Abdominal CT with intravenous contrast, arterial phase, axial plane, 100 kVp, kernel I30f. Slice 222/325 from the bottom of the scan; thickness 1.00 mm; pixel size 0.703 mm.
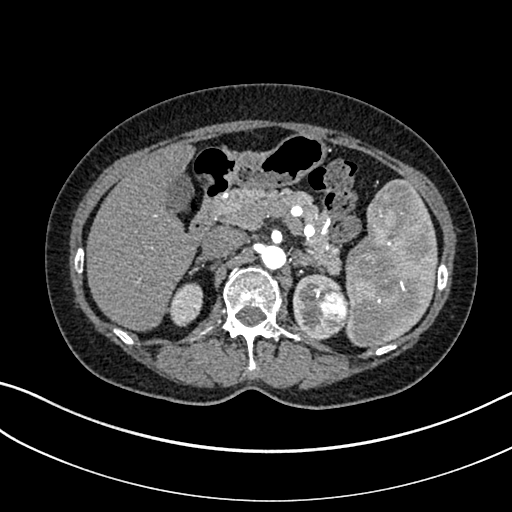
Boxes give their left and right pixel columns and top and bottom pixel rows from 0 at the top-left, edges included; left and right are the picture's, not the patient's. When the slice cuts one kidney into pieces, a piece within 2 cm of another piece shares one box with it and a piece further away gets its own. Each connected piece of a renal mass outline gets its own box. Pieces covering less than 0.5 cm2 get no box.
Two kidney boxes and one renal mass box on this slice; by box centre, from the image's left to its right: (1) Right kidney in the box with left 168, top 282, right 203, bottom 326 (outlined area 1,143 px, about 5.7 cm2). (2) Box with left 292, top 274, right 341, bottom 340: left kidney (outlined area 1,637 px, about 8.1 cm2). (3) Left renal mass in the box with left 313, top 289, right 348, bottom 333 (outlined area 1,280 px, about 6.3 cm2).